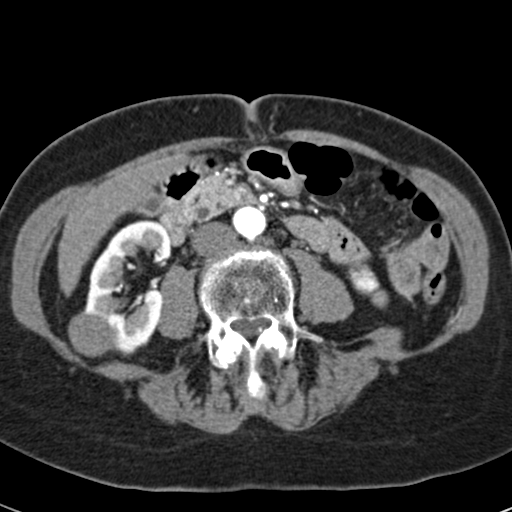
One axial slice (17 of 53, counting up from the lowest) of an arterial-phase abdominal CT acquired with 120 kVp, kernel B30f; each pixel is 0.547 mm and the slice is 3.00 mm thick.
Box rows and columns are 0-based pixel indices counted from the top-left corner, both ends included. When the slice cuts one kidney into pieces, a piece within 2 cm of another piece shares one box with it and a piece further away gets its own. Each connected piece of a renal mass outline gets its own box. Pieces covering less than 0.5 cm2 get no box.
Boxed on this slice (two kidney boxes and one renal mass box), listed by box centre from the image's left to its right: (1) Right renal mass at rows 312–357, columns 68–118 (outlined area 1,759 px, about 5.3 cm2). (2) Right kidney at rows 219–356, columns 82–171 (outlined area 6,829 px, about 20.4 cm2). (3) Box rows 262–308, columns 347–388: left kidney (outlined area 1,014 px, about 3.0 cm2).